One axial slice (482 of 673, counting up from the lowest) of an arterial-phase abdominal CT acquired with 140 kVp, kernel I30f; each pixel is 0.957 mm and the slice is 1.00 mm thick.
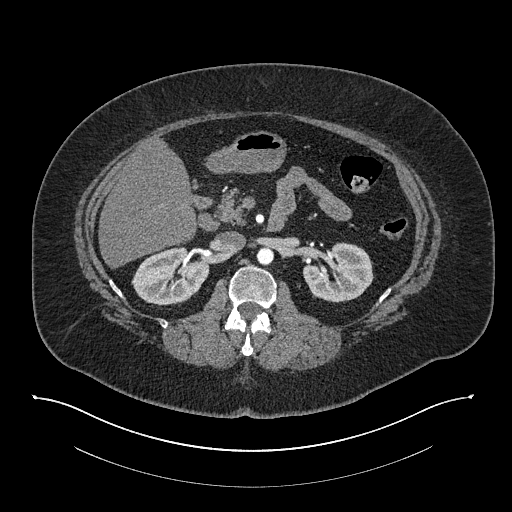
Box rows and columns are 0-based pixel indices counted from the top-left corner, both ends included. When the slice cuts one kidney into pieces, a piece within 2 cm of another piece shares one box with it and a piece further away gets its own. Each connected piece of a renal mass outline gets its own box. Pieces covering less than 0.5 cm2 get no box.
Two kidney boxes on this slice; by box centre, from the image's left to its right: (1) Right kidney at rows 246–305, columns 131–209 (outlined area 3,320 px, about 30.4 cm2). (2) Left kidney, box rows 242–302, columns 303–373 (outlined area 3,146 px, about 28.8 cm2). No renal mass outline on this slice.